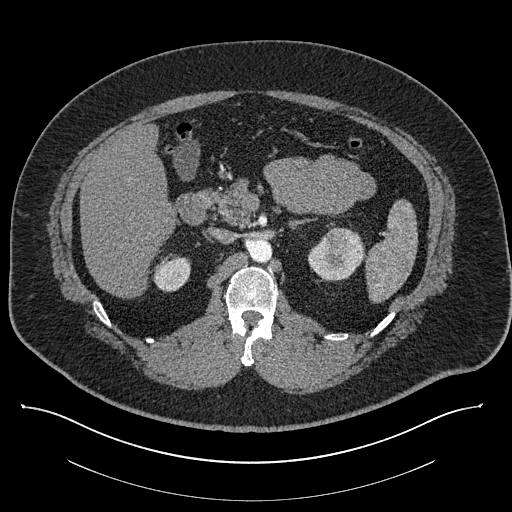
Abdominal CT with intravenous contrast, axial plane, 140 kVp, kernel I30f. Slice 542/787 from the bottom of the scan; thickness 1.00 mm; pixel size 0.910 mm.
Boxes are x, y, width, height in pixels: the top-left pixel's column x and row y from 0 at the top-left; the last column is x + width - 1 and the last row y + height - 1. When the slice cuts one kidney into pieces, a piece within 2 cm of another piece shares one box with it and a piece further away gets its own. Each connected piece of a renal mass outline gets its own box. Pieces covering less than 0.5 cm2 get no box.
Two kidney boxes and one renal mass box on this slice; by box centre, from the image's left to its right: (1) Box x 153, y 255, width 38, height 38: right kidney (outlined area 1,070 px, about 8.9 cm2). (2) Left renal mass at x 326, y 228, width 20, height 20 (outlined area 318 px, about 2.6 cm2). (3) Left kidney at x 307, y 227, width 58, height 54 (outlined area 1,981 px, about 16.4 cm2).